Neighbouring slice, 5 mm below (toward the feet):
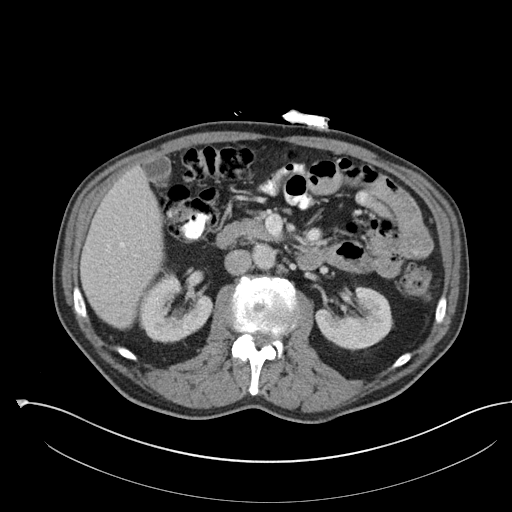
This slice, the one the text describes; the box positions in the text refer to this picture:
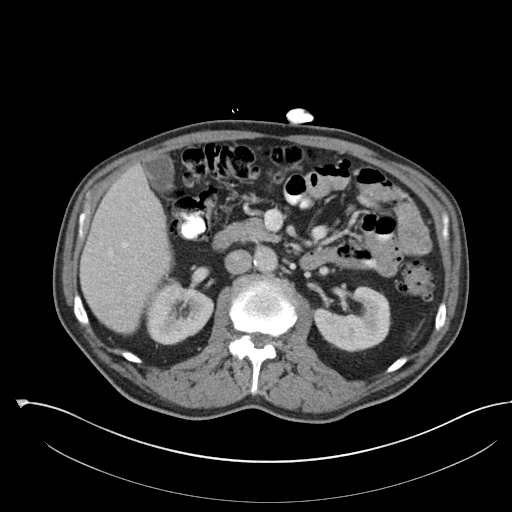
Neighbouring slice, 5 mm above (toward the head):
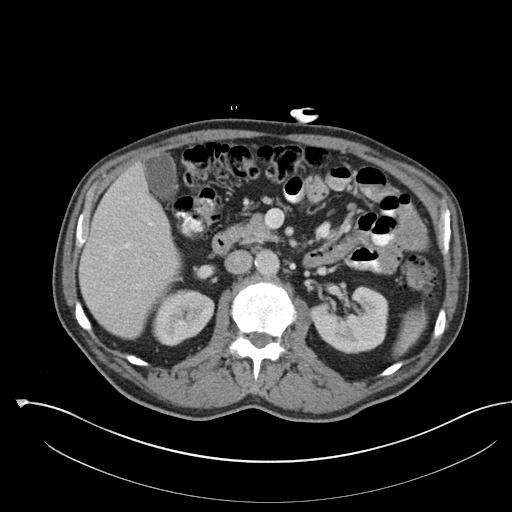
Abdominal CT with intravenous contrast, axial plane, 100 kVp, kernel I30f. Slice 68/142 from the bottom of the scan; thickness 5.00 mm; pixel size 0.855 mm.
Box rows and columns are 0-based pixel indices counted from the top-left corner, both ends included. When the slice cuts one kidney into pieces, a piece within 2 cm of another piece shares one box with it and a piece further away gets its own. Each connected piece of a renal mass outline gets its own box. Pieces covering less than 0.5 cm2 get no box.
Three boxes on this slice (two kidney boxes and one renal mass box), listed by box centre from the image's left to its right. (1) Right renal mass at rows 320–336, columns 158–175 (outlined area 237 px, about 1.7 cm2). (2) Right kidney at rows 280–344, columns 145–213 (outlined area 2,889 px, about 21.1 cm2). (3) Left kidney at rows 286–352, columns 313–391 (outlined area 3,634 px, about 26.6 cm2). This slice lies near the end of the right renal mass toward the head; the slices 5 mm below and 5 mm above it are shown too, and the boxes mark positions on this slice only.